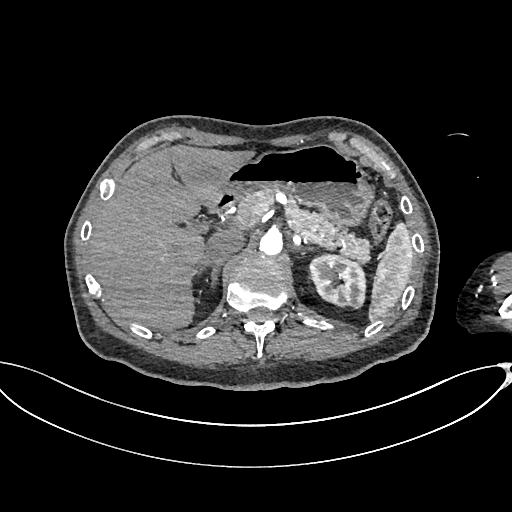
One axial slice (478 of 665, counting up from the lowest) of an arterial-phase abdominal CT acquired with 100 kVp, kernel I26f; each pixel is 0.828 mm and the slice is 1.00 mm thick.
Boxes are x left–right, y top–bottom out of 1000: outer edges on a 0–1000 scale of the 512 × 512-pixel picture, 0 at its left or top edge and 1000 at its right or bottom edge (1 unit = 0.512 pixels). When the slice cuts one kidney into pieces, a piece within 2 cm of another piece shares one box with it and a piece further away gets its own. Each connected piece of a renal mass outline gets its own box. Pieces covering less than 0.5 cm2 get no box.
Left kidney, box x 600–717, y 494–605 out of 1000 (outlined area 2,515 px, about 17.2 cm2). No renal mass is outlined on this slice.